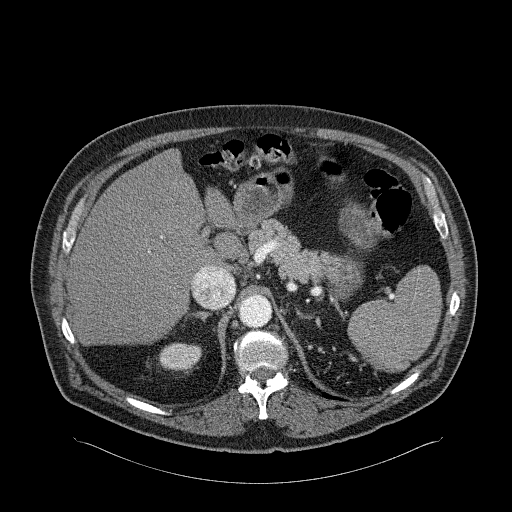
Axial slice 199 of 326 of a contrast-enhanced abdominal CT in the arterial phase (slice 1 is the lowest), 120 kVp, kernel B31f; 2.00 mm slice thickness and 0.963 mm pixels.
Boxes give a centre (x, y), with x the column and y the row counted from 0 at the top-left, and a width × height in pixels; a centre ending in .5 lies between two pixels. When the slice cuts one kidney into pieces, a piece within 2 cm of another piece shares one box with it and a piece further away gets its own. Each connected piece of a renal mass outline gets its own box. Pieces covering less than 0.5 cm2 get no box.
Right kidney in a box with centre (179.5, 356.5), 44 × 30 pixels (outlined area 1,012 px, about 9.4 cm2). No renal mass is outlined on this slice.